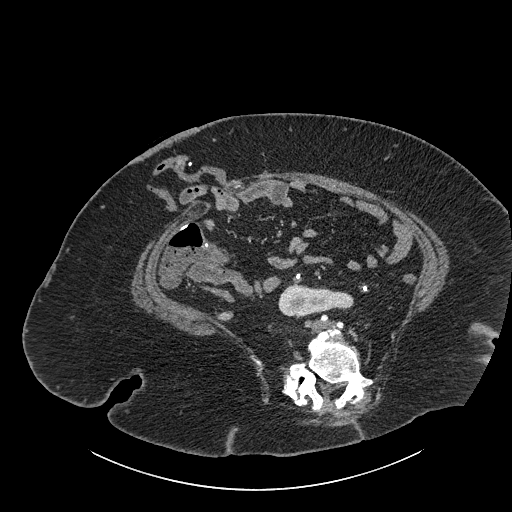
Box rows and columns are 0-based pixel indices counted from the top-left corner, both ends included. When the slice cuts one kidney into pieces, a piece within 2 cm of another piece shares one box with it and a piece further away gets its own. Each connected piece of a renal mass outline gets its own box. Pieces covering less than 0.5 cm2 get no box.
Slice 401/834 of a contrast-enhanced abdominal CT, counting up from the lowest; pixel size 0.977 mm, slice thickness 1.00 mm. Right part of the midline-crossing kidney at rows 285–318, columns 278–353 (outlined area 1,814 px, about 17.3 cm2). This slice carries no renal mass outline.
Acquired at 140 kVp and reconstructed with the I30f kernel.